Arterial-phase contrast-enhanced abdominal CT, axial slice 141 of 304 (counted from the lowest slice); tube voltage 100 kVp, convolution kernel I30f; slices 2.00 mm thick, 0.809 mm per pixel.
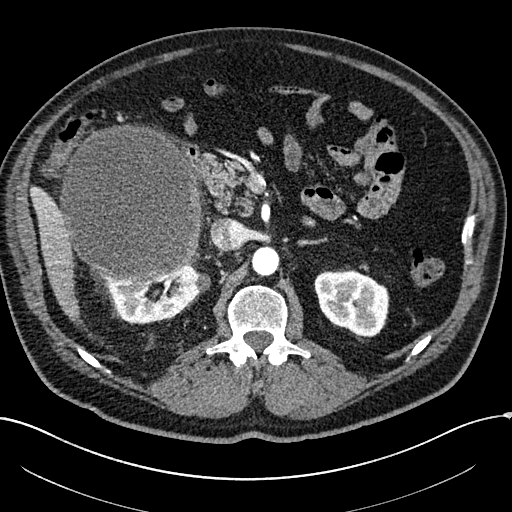
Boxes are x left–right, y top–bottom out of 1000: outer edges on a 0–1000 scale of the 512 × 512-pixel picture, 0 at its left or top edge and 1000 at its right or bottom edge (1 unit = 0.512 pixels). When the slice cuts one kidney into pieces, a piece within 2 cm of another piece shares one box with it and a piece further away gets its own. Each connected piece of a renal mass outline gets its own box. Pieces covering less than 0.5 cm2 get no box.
Two kidney boxes and one renal mass box on this slice; by box centre, from the image's left to its right: (1) Right renal mass, box x 115–398, y 242–553 out of 1000 (outlined area 18,311 px, about 119.7 cm2). (2) Box x 205–412, y 508–633 out of 1000: right kidney (outlined area 3,630 px, about 23.7 cm2). (3) Left kidney, box x 613–762, y 529–658 out of 1000 (outlined area 3,833 px, about 25.1 cm2).